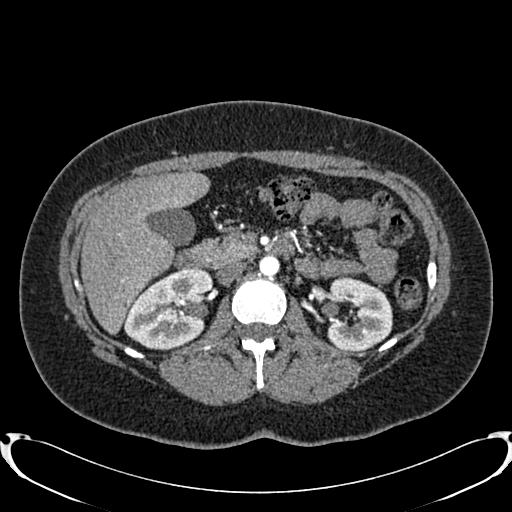
One axial slice (481 of 719, counting up from the lowest) of an arterial-phase abdominal CT acquired with 120 kVp, kernel B20f; each pixel is 0.766 mm and the slice is 1.00 mm thick.
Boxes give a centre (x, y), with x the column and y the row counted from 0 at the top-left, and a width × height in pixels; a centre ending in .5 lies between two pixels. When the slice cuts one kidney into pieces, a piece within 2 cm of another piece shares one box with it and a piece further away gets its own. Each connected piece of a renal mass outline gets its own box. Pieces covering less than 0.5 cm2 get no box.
Two kidney boxes on this slice; by box centre, from the image's left to its right: (1) Right kidney, box centre (168, 309), 91 × 83 pixels (outlined area 5,314 px, about 31.1 cm2). (2) Left kidney, box centre (359.5, 313.5), 66 × 76 pixels (outlined area 3,832 px, about 22.5 cm2). No renal mass outline on this slice.